Arterial-phase contrast-enhanced abdominal CT, axial slice 299 of 670 (counted from the lowest slice); tube voltage 120 kVp, convolution kernel I30f; slices 1.00 mm thick, 0.861 mm per pixel.
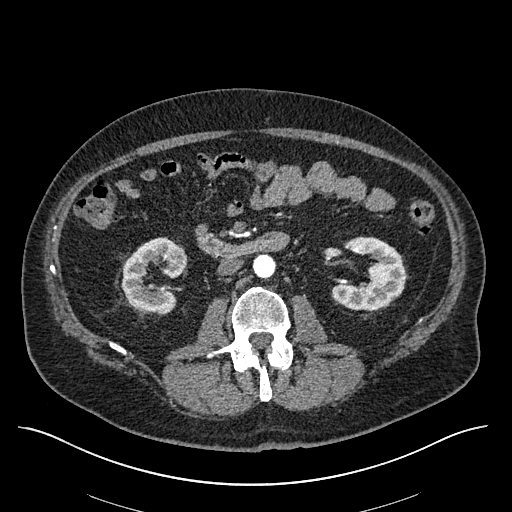
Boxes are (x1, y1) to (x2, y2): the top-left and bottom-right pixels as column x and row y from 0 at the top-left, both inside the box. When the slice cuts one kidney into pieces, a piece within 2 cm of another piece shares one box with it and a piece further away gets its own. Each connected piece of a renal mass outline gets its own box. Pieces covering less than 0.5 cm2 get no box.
Two kidney boxes and one renal mass box on this slice; by box centre, from the image's left to its right: (1) Box (121, 237) to (186, 313): right kidney (outlined area 3,074 px, about 22.8 cm2). (2) Right renal mass, box (164, 247) to (187, 267) (outlined area 399 px, about 3.0 cm2). (3) Box (331, 236) to (405, 310): left kidney (outlined area 3,625 px, about 26.9 cm2).